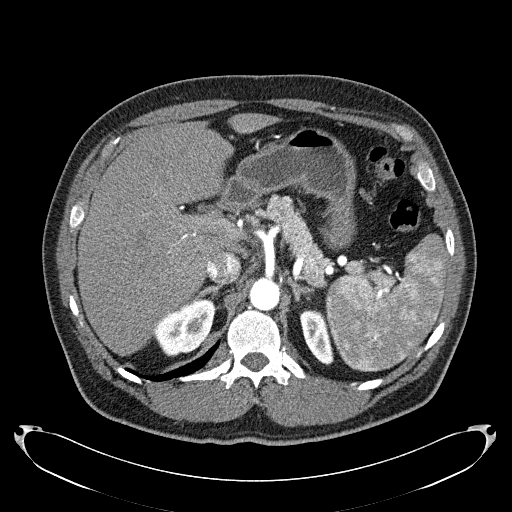
Axial slice 166 of 279 of a contrast-enhanced abdominal CT in the arterial phase (slice 1 is the lowest), 120 kVp, kernel B31f; 2.00 mm slice thickness and 0.824 mm pixels.
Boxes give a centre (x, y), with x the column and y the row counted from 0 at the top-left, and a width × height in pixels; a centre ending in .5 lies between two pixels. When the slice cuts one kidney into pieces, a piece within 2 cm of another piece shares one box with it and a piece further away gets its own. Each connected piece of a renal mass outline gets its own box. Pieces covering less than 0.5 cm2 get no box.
Two kidney boxes on this slice; by box centre, from the image's left to its right: (1) Right kidney in a box with centre (183.5, 326.5), 64 × 60 pixels (outlined area 2,438 px, about 16.6 cm2). (2) Left kidney in a box with centre (316.5, 336.5), 34 × 56 pixels (outlined area 1,253 px, about 8.5 cm2). No renal mass outline on this slice.